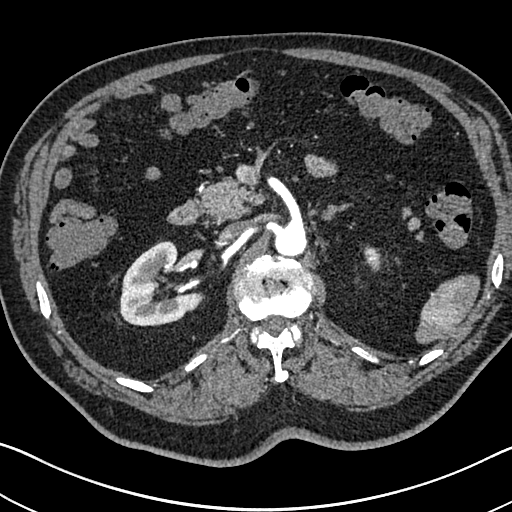
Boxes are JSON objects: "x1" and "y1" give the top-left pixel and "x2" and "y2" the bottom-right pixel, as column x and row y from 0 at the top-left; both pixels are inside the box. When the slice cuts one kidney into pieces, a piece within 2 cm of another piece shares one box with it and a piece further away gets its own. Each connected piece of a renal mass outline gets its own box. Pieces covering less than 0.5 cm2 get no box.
Arterial-phase contrast-enhanced abdominal CT, axial slice 466 of 705 (counted from the lowest slice); 1.00 mm thick, 0.703 mm per pixel. Boxed on this slice (two kidney boxes), listed by box centre from the image's left to its right: (1) Right kidney at {"x1": 119, "y1": 241, "x2": 199, "y2": 326} (outlined area 4,599 px, about 22.7 cm2). (2) Left kidney at {"x1": 364, "y1": 245, "x2": 379, "y2": 271} (outlined area 317 px, about 1.6 cm2). No renal mass is outlined on this slice.
Tube voltage 120 kVp; convolution kernel I30f.